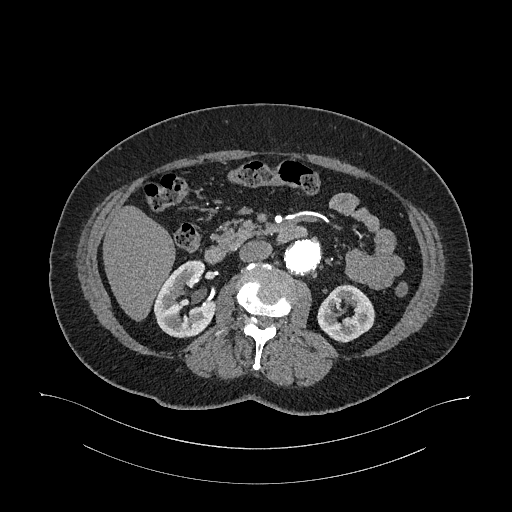
Abdominal CT with intravenous contrast, arterial phase, axial plane, 120 kVp, kernel I26f. Slice 632/987 from the bottom of the scan; thickness 1.00 mm; pixel size 0.977 mm.
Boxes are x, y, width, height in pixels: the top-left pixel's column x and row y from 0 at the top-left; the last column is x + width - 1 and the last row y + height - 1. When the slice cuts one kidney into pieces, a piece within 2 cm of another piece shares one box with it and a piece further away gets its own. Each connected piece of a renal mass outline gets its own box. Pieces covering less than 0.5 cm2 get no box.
Two boxes on this slice (two kidney boxes), listed by box centre from the image's left to its right. (1) Right kidney, box x 153, y 260, width 64, height 78 (outlined area 3,363 px, about 32.1 cm2). (2) Left kidney, box x 317, y 284, width 59, height 59 (outlined area 2,390 px, about 22.8 cm2). No renal mass is outlined on this slice.